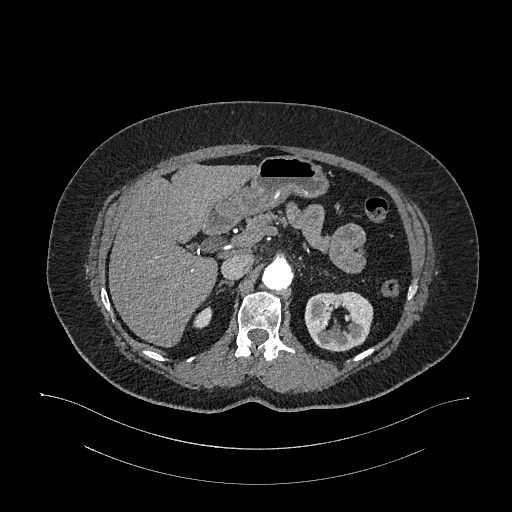
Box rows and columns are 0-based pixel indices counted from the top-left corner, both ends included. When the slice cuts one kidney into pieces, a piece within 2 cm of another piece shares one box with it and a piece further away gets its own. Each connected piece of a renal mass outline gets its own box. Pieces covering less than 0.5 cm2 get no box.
Arterial-phase contrast-enhanced abdominal CT, axial slice 733 of 987 (counted from the lowest slice); 1.00 mm thick, 0.977 mm per pixel. Boxed on this slice (two kidney boxes), listed by box centre from the image's left to its right: (1) Box rows 306–328, columns 193–212: right kidney (outlined area 290 px, about 2.8 cm2). (2) Left kidney, box rows 291–351, columns 304–373 (outlined area 3,174 px, about 30.3 cm2). No renal mass is outlined on this slice.
Scan settings: 120 kVp, I26f reconstruction kernel.